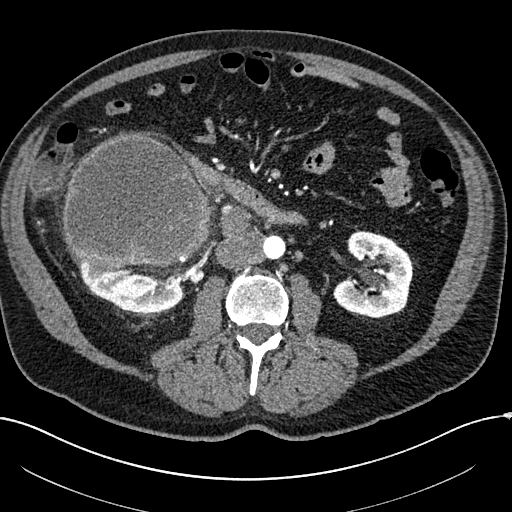
One axial slice (92 of 304, counting up from the lowest) of an arterial-phase abdominal CT acquired with 100 kVp, kernel I30f; each pixel is 0.809 mm and the slice is 2.00 mm thick.
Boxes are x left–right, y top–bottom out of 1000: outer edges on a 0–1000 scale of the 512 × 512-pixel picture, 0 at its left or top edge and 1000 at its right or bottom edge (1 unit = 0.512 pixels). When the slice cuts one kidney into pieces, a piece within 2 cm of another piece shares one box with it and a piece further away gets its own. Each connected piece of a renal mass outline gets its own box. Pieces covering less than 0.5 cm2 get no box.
Two kidney boxes and one renal mass box on this slice; by box centre, from the image's left to its right: (1) Right kidney at x 143–361, y 502–611 out of 1000 (outlined area 3,950 px, about 25.8 cm2). (2) Right renal mass at x 121–414, y 260–525 out of 1000 (outlined area 15,976 px, about 104.5 cm2). (3) Left kidney, box x 650–809, y 449–623 out of 1000 (outlined area 4,896 px, about 32.0 cm2).